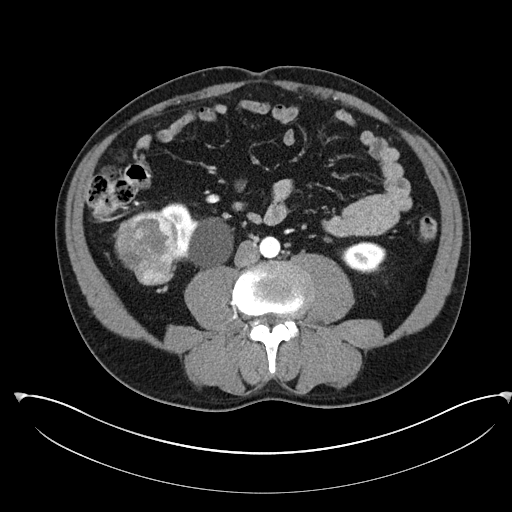
Arterial-phase contrast-enhanced abdominal CT, axial slice 112 of 302 (counted from the lowest slice); tube voltage 100 kVp, convolution kernel I30f; slices 5.00 mm thick, 0.875 mm per pixel.
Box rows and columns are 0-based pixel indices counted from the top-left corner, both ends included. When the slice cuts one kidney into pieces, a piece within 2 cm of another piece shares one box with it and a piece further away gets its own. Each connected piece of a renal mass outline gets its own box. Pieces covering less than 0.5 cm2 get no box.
Boxed on this slice (two kidney boxes and one renal mass box), listed by box centre from the image's left to its right: (1) Right renal mass at rows 210–285, columns 113–177 (outlined area 3,724 px, about 28.5 cm2). (2) Right kidney, box rows 202–266, columns 159–233 (outlined area 2,813 px, about 21.5 cm2). (3) Box rows 241–273, columns 341–386: left kidney (outlined area 1,116 px, about 8.5 cm2).